Abdominal CT with intravenous contrast, arterial phase, axial plane, 120 kVp, kernel B30f. Slice 45/59 from the bottom of the scan; thickness 5.00 mm; pixel size 0.871 mm.
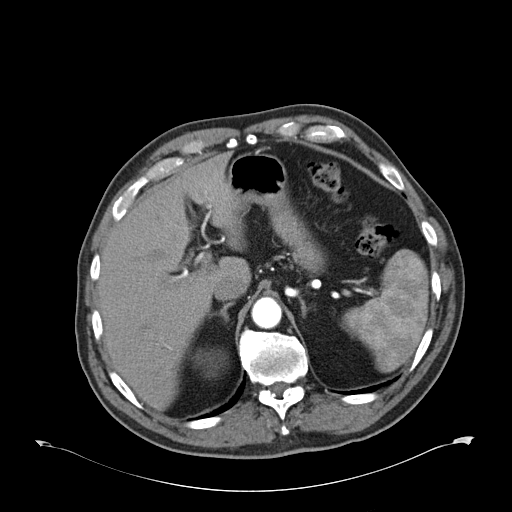
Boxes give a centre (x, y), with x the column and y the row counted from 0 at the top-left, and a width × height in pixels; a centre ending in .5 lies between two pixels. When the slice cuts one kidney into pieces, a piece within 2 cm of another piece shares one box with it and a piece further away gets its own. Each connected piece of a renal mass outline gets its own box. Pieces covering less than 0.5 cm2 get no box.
Box centre (206, 359), 25 × 19 pixels: right kidney (outlined area 223 px, about 1.7 cm2). No renal mass is outlined on this slice.